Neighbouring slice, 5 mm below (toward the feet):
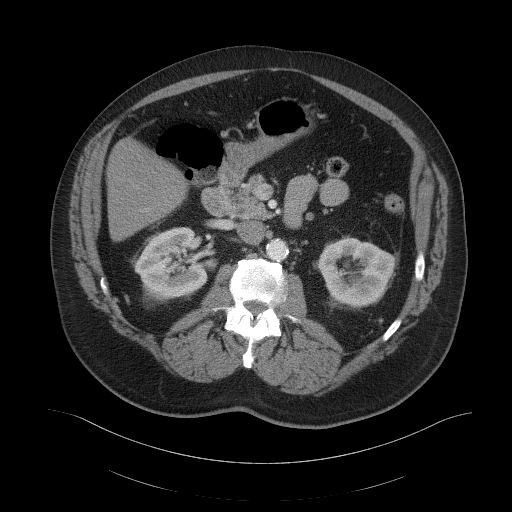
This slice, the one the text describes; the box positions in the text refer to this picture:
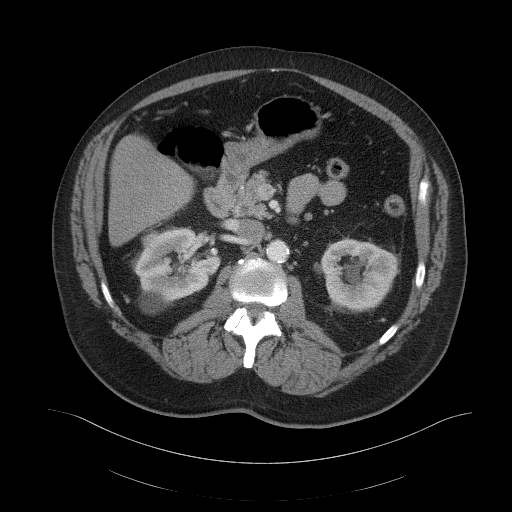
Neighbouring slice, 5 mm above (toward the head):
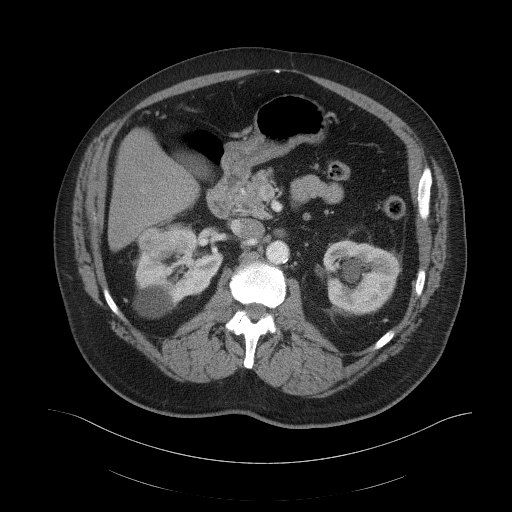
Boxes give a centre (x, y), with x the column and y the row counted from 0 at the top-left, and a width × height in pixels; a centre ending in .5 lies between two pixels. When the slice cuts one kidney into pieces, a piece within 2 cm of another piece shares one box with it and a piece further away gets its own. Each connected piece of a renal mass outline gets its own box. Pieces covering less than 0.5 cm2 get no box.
This is axial slice 71 of 103 (slice 1 is the lowest) of an arterial-phase abdominal CT with contrast; each pixel is 0.951 mm and the slice is 5.00 mm thick. Three boxes on this slice (two kidney boxes and one renal mass box), listed by box centre from the image's left to its right. (1) Right renal mass in a box with centre (148.5, 238), 16 × 19 pixels (outlined area 210 px, about 1.9 cm2). (2) Box centre (176, 269), 89 × 87 pixels: right kidney (outlined area 4,986 px, about 45.1 cm2). (3) Left kidney in a box with centre (359, 274), 77 × 75 pixels (outlined area 4,306 px, about 39.0 cm2). This slice lies near the end of the right renal mass toward the feet; the slices 5 mm below and 5 mm above it are shown too, and the boxes mark positions on this slice only.
Scan settings: 120 kVp, B41f reconstruction kernel.